Axial slice 578 of 987 of a contrast-enhanced abdominal CT in the arterial phase (slice 1 is the lowest), 120 kVp, kernel I26f; 1.00 mm slice thickness and 0.977 mm pixels.
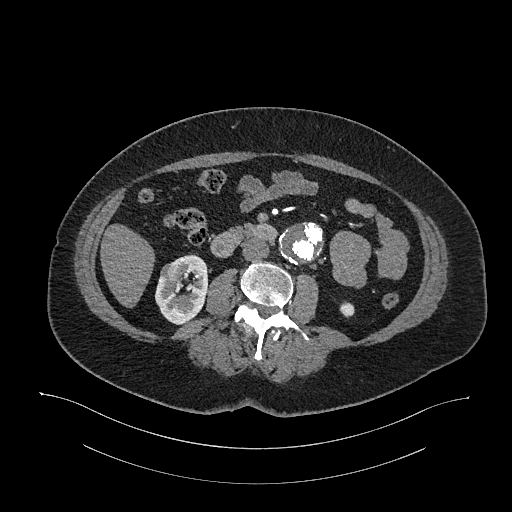
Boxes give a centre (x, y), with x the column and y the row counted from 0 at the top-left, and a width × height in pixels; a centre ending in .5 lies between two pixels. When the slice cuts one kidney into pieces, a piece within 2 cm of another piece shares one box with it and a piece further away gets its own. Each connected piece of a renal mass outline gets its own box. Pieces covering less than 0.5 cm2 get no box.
Two kidney boxes and one renal mass box on this slice; by box centre, from the image's left to its right: (1) Box centre (170.5, 271.5), 24 × 20 pixels: right renal mass (outlined area 350 px, about 3.3 cm2). (2) Box centre (180.5, 289), 54 × 71 pixels: right kidney (outlined area 2,434 px, about 23.2 cm2). (3) Left kidney in a box with centre (346.5, 309), 16 × 17 pixels (outlined area 188 px, about 1.8 cm2).